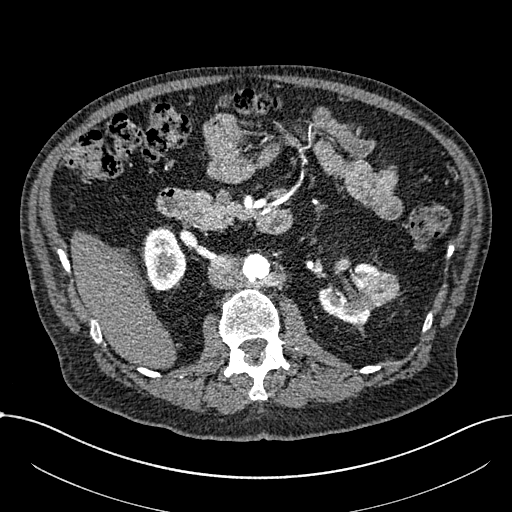
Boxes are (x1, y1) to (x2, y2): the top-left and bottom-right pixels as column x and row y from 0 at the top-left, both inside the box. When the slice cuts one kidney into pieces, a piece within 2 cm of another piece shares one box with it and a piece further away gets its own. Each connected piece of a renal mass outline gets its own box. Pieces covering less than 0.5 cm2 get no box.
This is axial slice 404 of 1059 (slice 1 is the lowest) of an arterial-phase abdominal CT with contrast; each pixel is 0.811 mm and the slice is 1.00 mm thick. Boxed on this slice (two kidney boxes and one renal mass box), listed by box centre from the image's left to its right: (1) Right part of the midline-crossing kidney from (144, 227) to (186, 290) (outlined area 2,095 px, about 13.8 cm2). (2) Left part of the midline-crossing kidney, box (318, 263) to (380, 325) (outlined area 2,242 px, about 14.7 cm2). (3) Box (364, 271) to (399, 307): renal mass (outlined area 914 px, about 6.0 cm2).
Tube voltage 100 kVp; convolution kernel I30f.